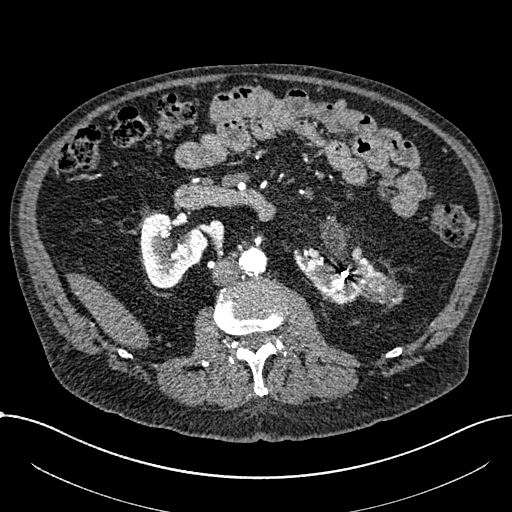
Arterial-phase contrast-enhanced abdominal CT, axial slice 364 of 1059 (counted from the lowest slice); tube voltage 100 kVp, convolution kernel I30f; slices 1.00 mm thick, 0.811 mm per pixel.
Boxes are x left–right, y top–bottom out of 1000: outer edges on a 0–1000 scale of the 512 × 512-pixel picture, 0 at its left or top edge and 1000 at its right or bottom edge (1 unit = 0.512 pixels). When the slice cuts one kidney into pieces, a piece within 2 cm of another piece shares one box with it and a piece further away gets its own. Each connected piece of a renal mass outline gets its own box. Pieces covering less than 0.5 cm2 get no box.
Two kidney boxes and one renal mass box on this slice; by box centre, from the image's left to its right: (1) Box x 273–408, y 416–564 out of 1000: right part of the midline-crossing kidney (outlined area 3,498 px, about 23.0 cm2). (2) Left part of the midline-crossing kidney, box x 572–754, y 482–596 out of 1000 (outlined area 2,935 px, about 19.3 cm2). (3) Renal mass at x 699–789, y 535–594 out of 1000 (outlined area 1,035 px, about 6.8 cm2).